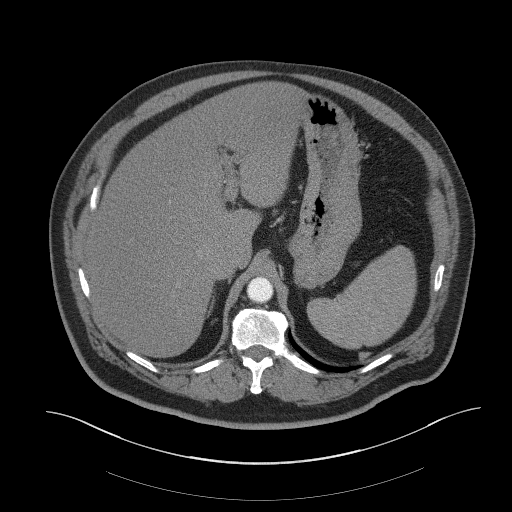
Axial slice 50 of 61 of a contrast-enhanced abdominal CT (slice 1 is the lowest), 140 kVp, kernel B41f; 3.00 mm slice thickness and 0.939 mm pixels.
No kidney and no renal mass is outlined on this slice; the outlines in this scan cover only the kidneys and the renal masses, so nothing is said about any other organ.